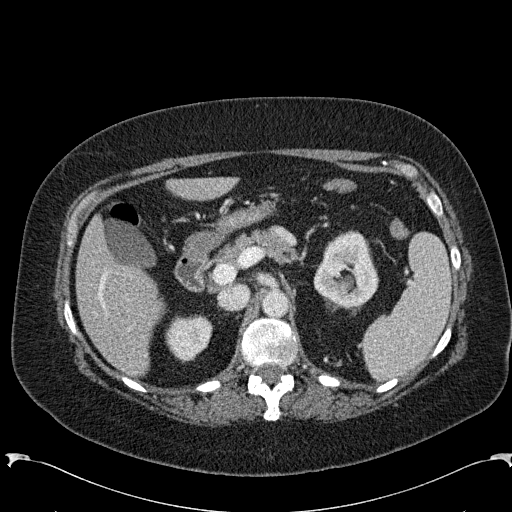
Abdominal CT with intravenous contrast, arterial phase, axial plane, 120 kVp, kernel B31f. Slice 166/285 from the bottom of the scan; thickness 2.00 mm; pixel size 0.762 mm.
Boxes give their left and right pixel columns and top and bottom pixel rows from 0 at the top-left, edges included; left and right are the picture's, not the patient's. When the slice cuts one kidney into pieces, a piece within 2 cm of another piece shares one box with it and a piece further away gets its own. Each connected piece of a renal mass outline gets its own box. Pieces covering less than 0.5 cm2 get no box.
Two boxes on this slice (two kidney boxes), listed by box centre from the image's left to its right. (1) Right kidney in the box with left 165, top 314, right 213, bottom 363 (outlined area 1,716 px, about 10.0 cm2). (2) Left kidney in the box with left 313, top 230, right 379, bottom 308 (outlined area 3,708 px, about 21.5 cm2). No renal mass is outlined on this slice.